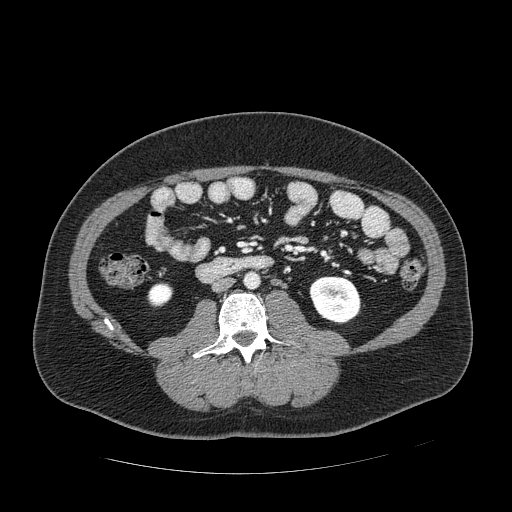
One axial slice (223 of 389, counting up from the lowest) of an arterial-phase abdominal CT acquired with 120 kVp, kernel STANDARD; each pixel is 0.869 mm and the slice is 1.25 mm thick.
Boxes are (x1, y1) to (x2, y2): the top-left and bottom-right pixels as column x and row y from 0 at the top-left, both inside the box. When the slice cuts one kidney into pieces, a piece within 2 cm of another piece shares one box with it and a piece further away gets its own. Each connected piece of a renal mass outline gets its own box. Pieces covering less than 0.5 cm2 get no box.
Two boxes on this slice (two kidney boxes), listed by box centre from the image's left to its right. (1) Right kidney from (147, 282) to (173, 307) (outlined area 508 px, about 3.8 cm2). (2) Left kidney, box (309, 276) to (360, 324) (outlined area 1,959 px, about 14.8 cm2). No renal mass is outlined on this slice.